Abdominal CT with intravenous contrast, arterial phase, axial plane, 120 kVp, kernel I30f. Slice 428/735 from the bottom of the scan; thickness 1.00 mm; pixel size 0.789 mm.
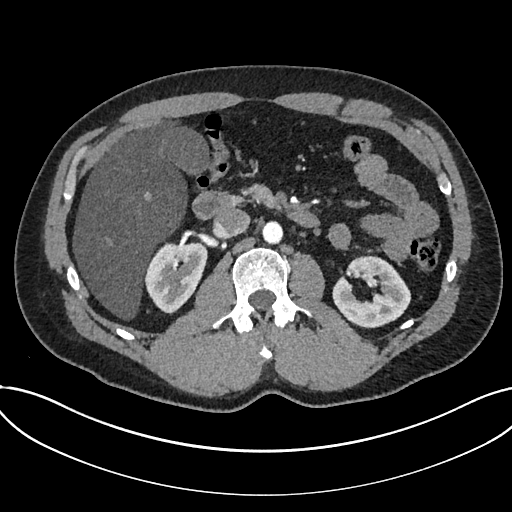
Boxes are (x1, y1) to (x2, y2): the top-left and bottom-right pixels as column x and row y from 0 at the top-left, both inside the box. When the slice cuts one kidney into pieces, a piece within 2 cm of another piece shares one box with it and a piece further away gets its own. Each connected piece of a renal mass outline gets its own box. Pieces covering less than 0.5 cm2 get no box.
Two boxes on this slice (two kidney boxes), listed by box centre from the image's left to its right. (1) Box (144, 241) to (207, 314): kidney (outlined area 3,368 px, about 21.0 cm2). (2) Box (332, 255) to (411, 328): kidney (outlined area 3,864 px, about 24.1 cm2). No renal mass is outlined on this slice.